Axial slice 67 of 103 of a contrast-enhanced abdominal CT in the arterial phase (slice 1 is the lowest), 120 kVp, kernel B41f; 5.00 mm slice thickness and 0.951 mm pixels.
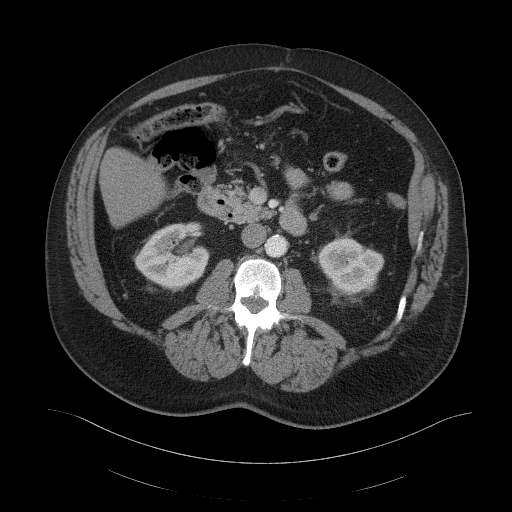
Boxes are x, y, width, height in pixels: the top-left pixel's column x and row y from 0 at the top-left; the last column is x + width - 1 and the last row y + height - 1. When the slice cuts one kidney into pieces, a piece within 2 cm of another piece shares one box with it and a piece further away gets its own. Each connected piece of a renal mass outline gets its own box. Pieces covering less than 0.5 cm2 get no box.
Two kidney boxes on this slice; by box centre, from the image's left to its right: (1) Box x 134, y 223, width 76, height 70: right kidney (outlined area 3,531 px, about 31.9 cm2). (2) Left kidney, box x 318, y 237, width 67, height 57 (outlined area 2,764 px, about 25.0 cm2). No renal mass is outlined on this slice.